Abdominal CT with intravenous contrast, arterial phase, axial plane, 120 kVp, kernel I30f. Slice 228/673 from the bottom of the scan; thickness 1.00 mm; pixel size 0.855 mm.
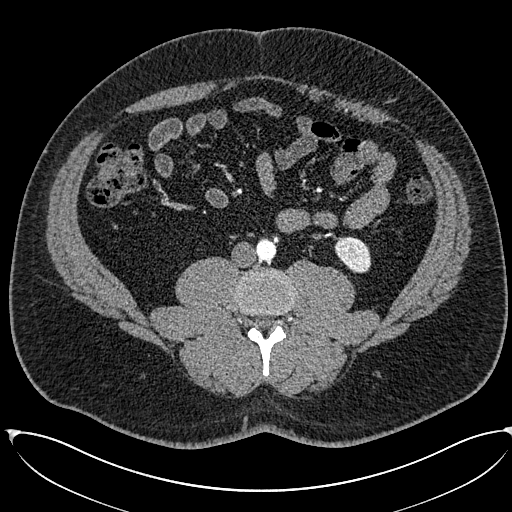
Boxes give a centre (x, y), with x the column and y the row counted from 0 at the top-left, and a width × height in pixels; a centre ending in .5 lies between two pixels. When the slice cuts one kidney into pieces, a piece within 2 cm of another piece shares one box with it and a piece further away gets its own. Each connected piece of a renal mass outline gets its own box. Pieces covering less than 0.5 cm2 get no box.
Left kidney, box centre (352.5, 254.5), 38 × 38 pixels (outlined area 1,017 px, about 7.4 cm2). No renal mass is outlined on this slice.